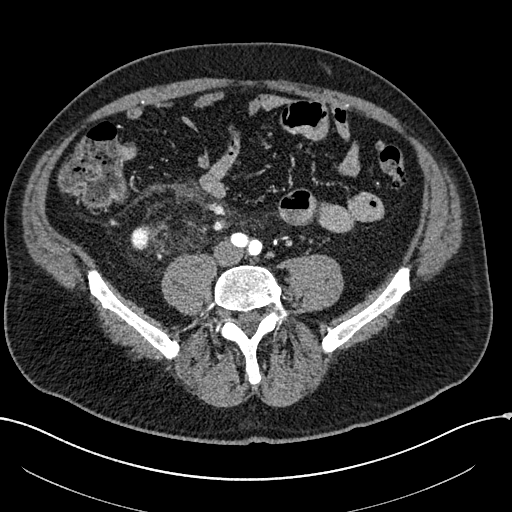
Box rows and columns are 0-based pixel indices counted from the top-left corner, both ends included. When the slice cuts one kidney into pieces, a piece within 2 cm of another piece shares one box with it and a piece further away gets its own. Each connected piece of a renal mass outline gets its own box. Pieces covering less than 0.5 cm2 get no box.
This is axial slice 22 of 304 (slice 1 is the lowest) of an arterial-phase abdominal CT with contrast; each pixel is 0.809 mm and the slice is 2.00 mm thick. Box rows 225–250, columns 130–150: right kidney (outlined area 411 px, about 2.7 cm2).
Acquired at 100 kVp and reconstructed with the I30f kernel.